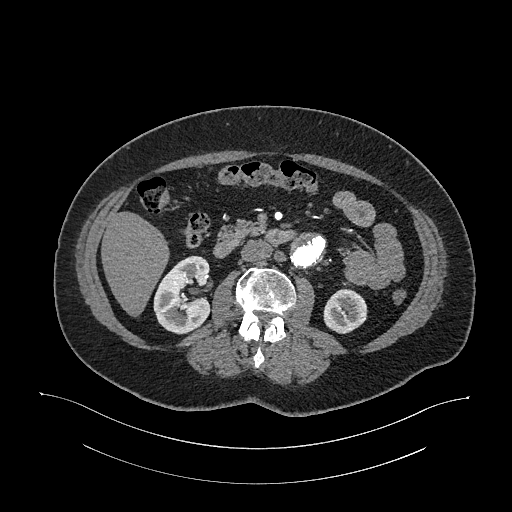
Arterial-phase contrast-enhanced abdominal CT, axial slice 610 of 987 (counted from the lowest slice); tube voltage 120 kVp, convolution kernel I26f; slices 1.00 mm thick, 0.977 mm per pixel.
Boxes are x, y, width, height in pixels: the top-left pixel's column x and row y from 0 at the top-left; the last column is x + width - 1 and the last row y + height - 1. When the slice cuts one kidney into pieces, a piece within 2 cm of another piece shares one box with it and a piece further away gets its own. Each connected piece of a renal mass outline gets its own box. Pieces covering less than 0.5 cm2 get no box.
Boxed on this slice (two kidney boxes), listed by box centre from the image's left to its right: (1) Right kidney, box x 153, y 255, width 58, height 80 (outlined area 3,427 px, about 32.7 cm2). (2) Box x 323, y 288, width 45, height 46: left kidney (outlined area 1,544 px, about 14.7 cm2). No renal mass outline on this slice.